Axial slice 306 of 591 of a contrast-enhanced abdominal CT in the arterial phase (slice 1 is the lowest), 140 kVp, kernel I30f; 1.00 mm slice thickness and 0.703 mm pixels.
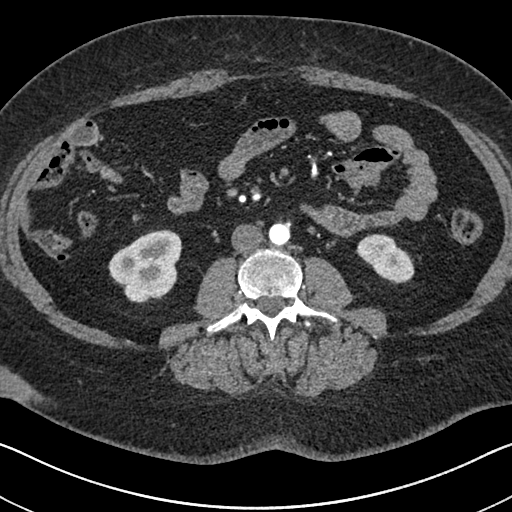
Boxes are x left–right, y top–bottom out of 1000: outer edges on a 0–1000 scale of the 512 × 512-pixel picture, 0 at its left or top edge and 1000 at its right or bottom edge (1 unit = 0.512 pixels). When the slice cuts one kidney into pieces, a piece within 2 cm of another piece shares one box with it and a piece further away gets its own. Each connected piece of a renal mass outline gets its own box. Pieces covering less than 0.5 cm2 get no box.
Two kidney boxes on this slice; by box centre, from the image's left to its right: (1) Box x 211–357, y 447–594 out of 1000: right kidney (outlined area 3,878 px, about 19.2 cm2). (2) Left kidney, box x 695–811, y 457–555 out of 1000 (outlined area 1,914 px, about 9.5 cm2). No renal mass is outlined on this slice.